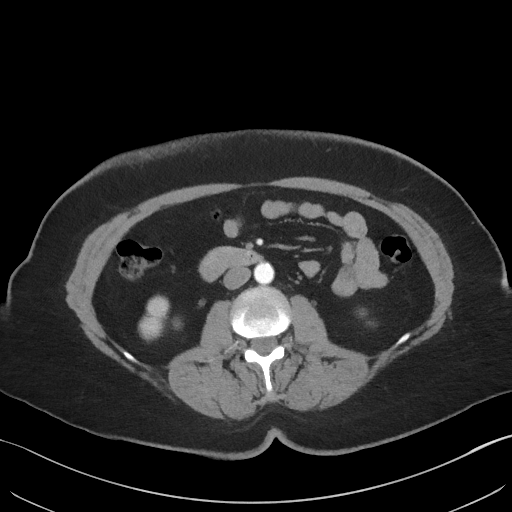
Abdominal CT with intravenous contrast, axial plane, 140 kVp, kernel I41f. Slice 18/69 from the bottom of the scan; thickness 3.00 mm; pixel size 0.736 mm.
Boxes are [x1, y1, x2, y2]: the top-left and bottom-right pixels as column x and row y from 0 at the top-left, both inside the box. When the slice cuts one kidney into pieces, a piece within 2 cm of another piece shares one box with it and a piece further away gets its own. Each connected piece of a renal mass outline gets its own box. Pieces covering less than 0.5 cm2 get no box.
Right kidney at [138, 296, 170, 340] (outlined area 971 px, about 5.3 cm2).